One axial slice (645 of 834, counting up from the lowest) of a contrast-enhanced abdominal CT acquired with 140 kVp, kernel I30f; each pixel is 0.977 mm and the slice is 1.00 mm thick.
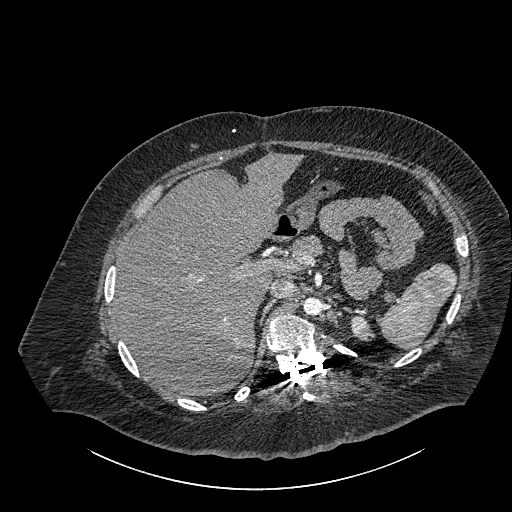
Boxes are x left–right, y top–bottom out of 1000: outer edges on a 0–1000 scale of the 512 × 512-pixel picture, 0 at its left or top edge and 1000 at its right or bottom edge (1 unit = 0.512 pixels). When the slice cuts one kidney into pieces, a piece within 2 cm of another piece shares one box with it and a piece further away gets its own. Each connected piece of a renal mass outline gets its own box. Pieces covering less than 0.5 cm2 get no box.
Box x 682–734, y 613–668 out of 1000: left part of the midline-crossing kidney (outlined area 467 px, about 4.5 cm2). No renal mass outline on this slice.